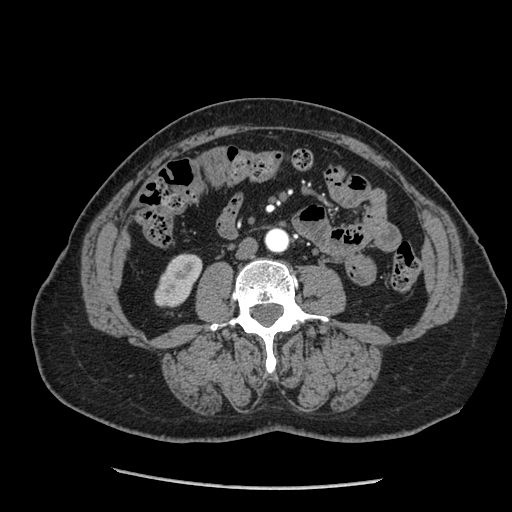
Arterial-phase contrast-enhanced abdominal CT, axial slice 88 of 233 (counted from the lowest slice); tube voltage 120 kVp, convolution kernel STANDARD; slices 1.25 mm thick, 0.703 mm per pixel.
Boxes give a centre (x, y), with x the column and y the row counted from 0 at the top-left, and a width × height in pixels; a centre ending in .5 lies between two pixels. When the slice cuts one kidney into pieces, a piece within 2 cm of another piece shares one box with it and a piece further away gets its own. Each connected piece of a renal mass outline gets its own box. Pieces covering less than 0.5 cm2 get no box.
Right kidney, box centre (178, 280), 49 × 55 pixels (outlined area 1,786 px, about 8.8 cm2). This slice carries no renal mass outline.